Contrast-enhanced abdominal CT, axial slice 325 of 433 (counted from the lowest slice); tube voltage 120 kVp, convolution kernel B30f; slices 1.00 mm thick, 0.672 mm per pixel.
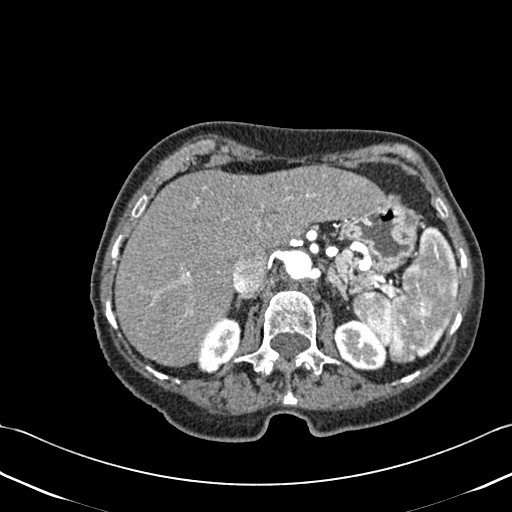
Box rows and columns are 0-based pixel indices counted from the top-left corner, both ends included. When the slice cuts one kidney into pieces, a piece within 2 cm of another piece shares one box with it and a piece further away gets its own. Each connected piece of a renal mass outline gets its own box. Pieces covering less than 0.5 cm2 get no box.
Boxed on this slice (two kidney boxes), listed by box centre from the image's left to its right: (1) Box rows 316–373, columns 198–241: right kidney (outlined area 1,695 px, about 7.7 cm2). (2) Left kidney at rows 319–370, columns 333–387 (outlined area 1,985 px, about 9.0 cm2). This slice carries no renal mass outline.